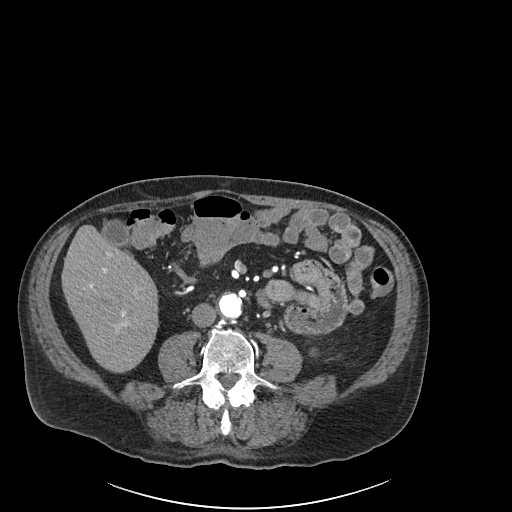
Arterial-phase contrast-enhanced abdominal CT, axial slice 57 of 261 (counted from the lowest slice); tube voltage 120 kVp, convolution kernel I30f; slices 2.00 mm thick, 0.939 mm per pixel.
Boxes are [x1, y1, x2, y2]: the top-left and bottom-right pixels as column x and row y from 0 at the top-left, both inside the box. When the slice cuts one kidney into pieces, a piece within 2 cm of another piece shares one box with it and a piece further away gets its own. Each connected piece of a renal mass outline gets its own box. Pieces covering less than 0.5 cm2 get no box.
Box [309, 347, 318, 356]: left kidney (outlined area 71 px, about 0.6 cm2). This slice carries no renal mass outline.